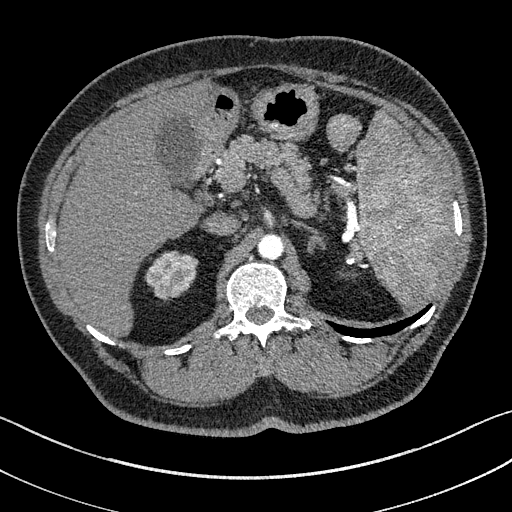
Arterial-phase contrast-enhanced abdominal CT, axial slice 111 of 195 (counted from the lowest slice); tube voltage 100 kVp, convolution kernel I31f; slices 1.50 mm thick, 0.707 mm per pixel.
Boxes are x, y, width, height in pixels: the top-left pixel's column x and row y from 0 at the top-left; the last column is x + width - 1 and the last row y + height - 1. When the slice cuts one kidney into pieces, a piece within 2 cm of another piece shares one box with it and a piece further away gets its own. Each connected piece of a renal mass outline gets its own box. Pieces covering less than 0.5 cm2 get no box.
Right kidney at x 145, y 251, width 53, height 49 (outlined area 1,814 px, about 9.1 cm2). No renal mass outline on this slice.